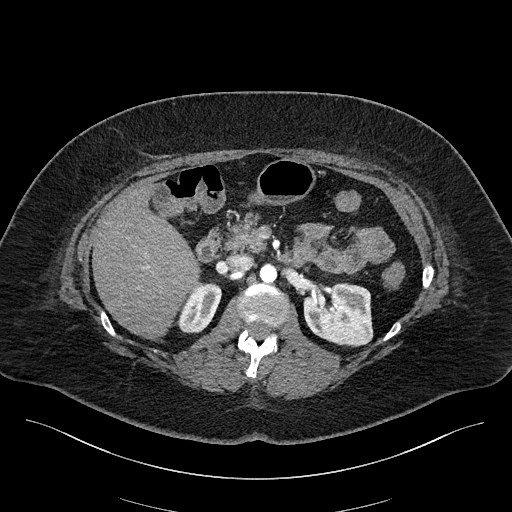
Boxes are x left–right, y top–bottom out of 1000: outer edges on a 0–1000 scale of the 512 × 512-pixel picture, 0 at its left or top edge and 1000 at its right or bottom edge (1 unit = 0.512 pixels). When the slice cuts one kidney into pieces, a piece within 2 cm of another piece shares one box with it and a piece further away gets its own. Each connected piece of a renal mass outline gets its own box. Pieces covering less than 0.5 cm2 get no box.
Slice 122/270 of a contrast-enhanced abdominal CT in the arterial phase, counting up from the lowest; pixel size 0.855 mm, slice thickness 2.00 mm. Two boxes on this slice (two kidney boxes), listed by box centre from the image's left to its right. (1) Right kidney at x 344–434, y 551–652 out of 1000 (outlined area 1,569 px, about 11.5 cm2). (2) Left kidney, box x 592–730, y 553–680 out of 1000 (outlined area 3,591 px, about 26.3 cm2). No renal mass outline on this slice.
Scan settings: 100 kVp, I40f reconstruction kernel.